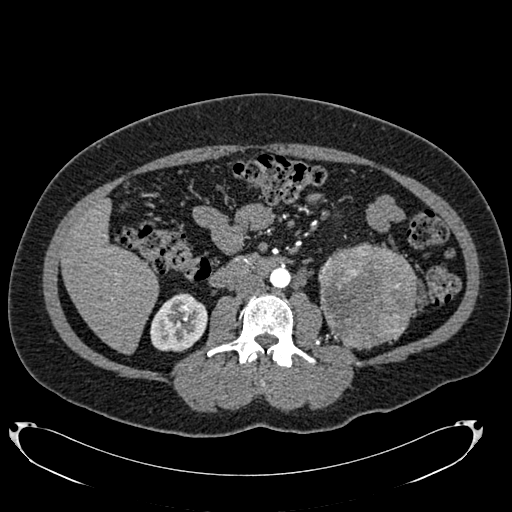
One axial slice (374 of 634, counting up from the lowest) of an arterial-phase abdominal CT acquired with 120 kVp, kernel B20f; each pixel is 0.838 mm and the slice is 1.00 mm thick.
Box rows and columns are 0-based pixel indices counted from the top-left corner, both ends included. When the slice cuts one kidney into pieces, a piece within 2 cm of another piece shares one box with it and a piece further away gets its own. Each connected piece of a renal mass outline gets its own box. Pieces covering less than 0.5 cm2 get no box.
One kidney box and one renal mass box on this slice; by box centre, from the image's left to its right: (1) Right kidney, box rows 293–351, columns 150–207 (outlined area 2,585 px, about 18.1 cm2). (2) Left renal mass, box rows 242–349, columns 318–418 (outlined area 8,393 px, about 58.9 cm2); it sits over 1 cm from every kidney outline on this slice, but the same outlined renal mass comes within 1 cm of the kidney on another slice.